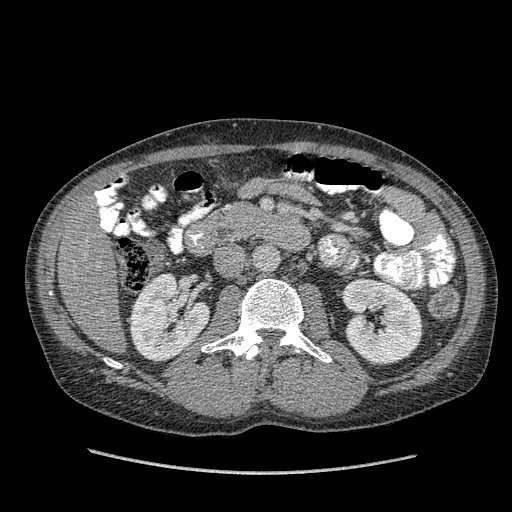
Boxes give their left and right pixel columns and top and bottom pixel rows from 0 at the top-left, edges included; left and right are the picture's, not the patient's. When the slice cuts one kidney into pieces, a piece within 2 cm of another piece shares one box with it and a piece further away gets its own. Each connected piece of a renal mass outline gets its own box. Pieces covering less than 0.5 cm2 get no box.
This is axial slice 203 of 349 (slice 1 is the lowest) of an arterial-phase abdominal CT with contrast; each pixel is 0.742 mm and the slice is 1.25 mm thick. Boxed on this slice (two kidney boxes), listed by box centre from the image's left to its right: (1) Right kidney, the box with left 129, top 273, right 210, bottom 362 (outlined area 5,118 px, about 28.2 cm2). (2) Box with left 342, top 278, right 422, bottom 364: left kidney (outlined area 5,328 px, about 29.3 cm2). This slice carries no renal mass outline.
Scan settings: 120 kVp, STANDARD reconstruction kernel.